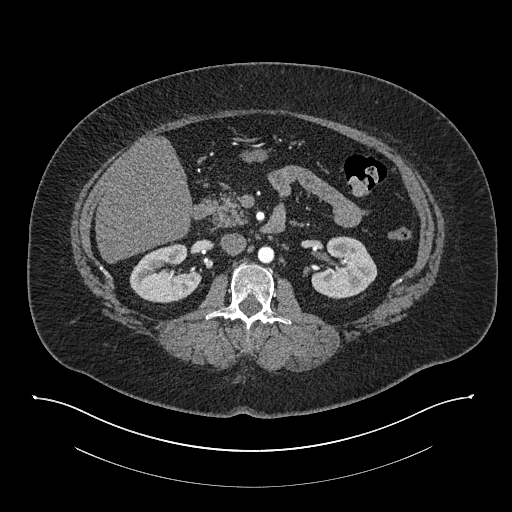
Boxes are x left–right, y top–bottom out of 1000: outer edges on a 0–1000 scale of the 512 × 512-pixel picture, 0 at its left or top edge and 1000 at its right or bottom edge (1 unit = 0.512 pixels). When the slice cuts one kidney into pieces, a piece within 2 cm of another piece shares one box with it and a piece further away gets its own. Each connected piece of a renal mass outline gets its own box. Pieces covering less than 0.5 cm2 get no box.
Slice 461/673 of a contrast-enhanced abdominal CT in the arterial phase, counting up from the lowest; pixel size 0.957 mm, slice thickness 1.00 mm. Boxed on this slice (two kidney boxes), listed by box centre from the image's left to its right: (1) Box x 252–396, y 475–594 out of 1000: right kidney (outlined area 3,040 px, about 27.8 cm2). (2) Box x 607–738, y 461–586 out of 1000: left kidney (outlined area 3,020 px, about 27.7 cm2). No renal mass outline on this slice.
Tube voltage 140 kVp; convolution kernel I30f.